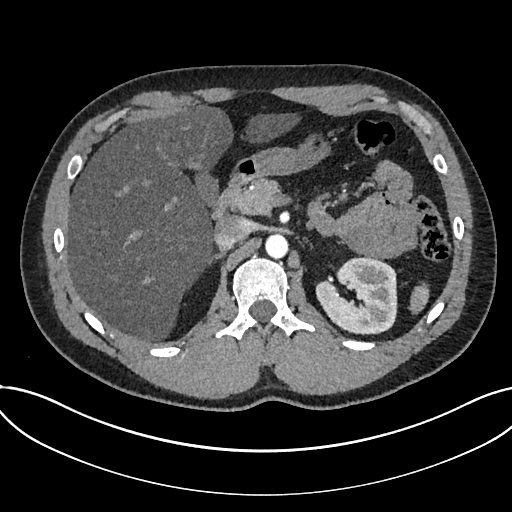
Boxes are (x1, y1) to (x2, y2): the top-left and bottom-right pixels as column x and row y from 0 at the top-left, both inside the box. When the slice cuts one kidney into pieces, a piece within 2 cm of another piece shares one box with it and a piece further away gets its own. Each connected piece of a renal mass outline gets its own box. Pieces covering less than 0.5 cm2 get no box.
Arterial-phase contrast-enhanced abdominal CT, axial slice 491 of 735 (counted from the lowest slice); 1.00 mm thick, 0.789 mm per pixel. Kidney, box (315, 257) to (397, 334) (outlined area 4,834 px, about 30.1 cm2). This slice carries no renal mass outline.
Acquired at 120 kVp and reconstructed with the I30f kernel.